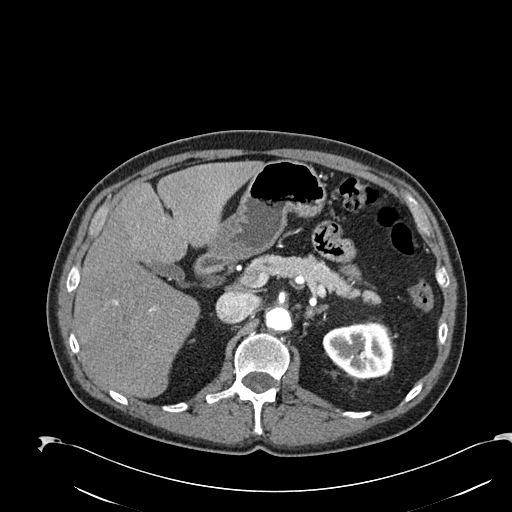
Arterial-phase contrast-enhanced abdominal CT, axial slice 152 of 274 (counted from the lowest slice); tube voltage 120 kVp, convolution kernel B30f; slices 2.00 mm thick, 0.809 mm per pixel.
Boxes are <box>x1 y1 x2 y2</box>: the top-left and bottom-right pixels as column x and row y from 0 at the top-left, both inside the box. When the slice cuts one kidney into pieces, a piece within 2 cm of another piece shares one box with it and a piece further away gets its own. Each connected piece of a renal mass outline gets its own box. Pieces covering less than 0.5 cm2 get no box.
At <box>322 322 393 378</box>: left kidney (outlined area 3,224 px, about 21.1 cm2). This slice carries no renal mass outline.